One axial slice (132 of 178, counting up from the lowest) of a contrast-enhanced abdominal CT acquired with 120 kVp, kernel B; each pixel is 0.818 mm and the slice is 3.00 mm thick.
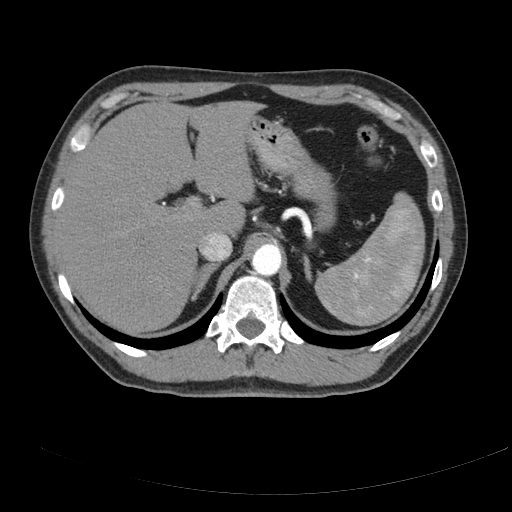
No kidney and no renal mass is outlined on this slice; the outlines in this scan cover only the kidneys and the renal masses, so nothing is said about any other organ.